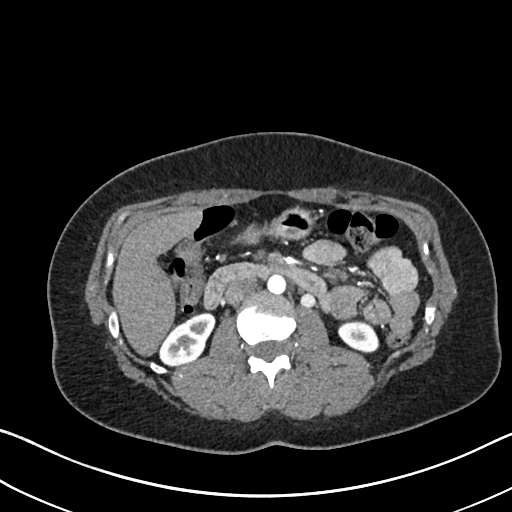
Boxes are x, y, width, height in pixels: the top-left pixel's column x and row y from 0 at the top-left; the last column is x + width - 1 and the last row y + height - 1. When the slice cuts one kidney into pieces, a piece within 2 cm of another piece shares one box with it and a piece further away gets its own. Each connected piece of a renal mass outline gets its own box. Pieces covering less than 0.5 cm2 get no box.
Arterial-phase contrast-enhanced abdominal CT, axial slice 383 of 612 (counted from the lowest slice); 1.00 mm thick, 0.703 mm per pixel. Two boxes on this slice (two kidney boxes), listed by box centre from the image's left to its right. (1) Right kidney at x 159, y 312, width 57, height 53 (outlined area 1,952 px, about 9.7 cm2). (2) Box x 337, y 319, width 43, height 33: left kidney (outlined area 1,050 px, about 5.2 cm2). This slice carries no renal mass outline.
Tube voltage 120 kVp; convolution kernel I30f.